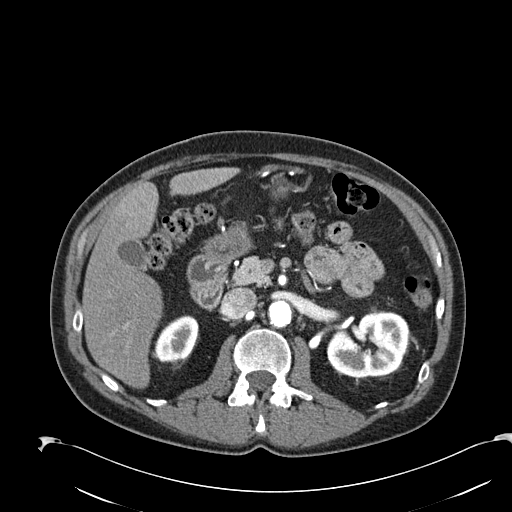
Axial slice 132 of 274 of a contrast-enhanced abdominal CT in the arterial phase (slice 1 is the lowest), 120 kVp, kernel B30f; 2.00 mm slice thickness and 0.809 mm pixels.
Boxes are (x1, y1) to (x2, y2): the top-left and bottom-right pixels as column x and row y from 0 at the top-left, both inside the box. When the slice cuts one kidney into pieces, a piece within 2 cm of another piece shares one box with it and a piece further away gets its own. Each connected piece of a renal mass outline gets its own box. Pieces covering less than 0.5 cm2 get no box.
Two boxes on this slice (two kidney boxes), listed by box centre from the image's left to its right. (1) Right kidney, box (154, 315) to (198, 362) (outlined area 1,529 px, about 10.0 cm2). (2) Box (327, 311) to (409, 378): left kidney (outlined area 4,208 px, about 27.5 cm2). No renal mass outline on this slice.